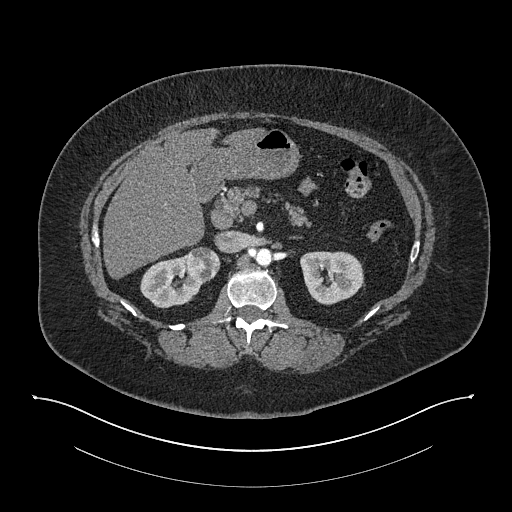
Arterial-phase contrast-enhanced abdominal CT, axial slice 515 of 673 (counted from the lowest slice); tube voltage 140 kVp, convolution kernel I30f; slices 1.00 mm thick, 0.957 mm per pixel.
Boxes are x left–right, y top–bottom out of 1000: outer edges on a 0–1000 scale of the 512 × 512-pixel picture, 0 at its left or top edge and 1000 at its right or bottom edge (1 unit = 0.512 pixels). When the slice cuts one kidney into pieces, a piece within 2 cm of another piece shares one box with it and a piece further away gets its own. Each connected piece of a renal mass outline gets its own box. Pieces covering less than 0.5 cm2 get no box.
Three boxes on this slice (two kidney boxes and one renal mass box), listed by box centre from the image's left to its right. (1) Right kidney at x 273–396, y 496–604 out of 1000 (outlined area 2,233 px, about 20.5 cm2). (2) Right renal mass at x 365–432, y 482–555 out of 1000 (outlined area 956 px, about 8.8 cm2). (3) Left kidney at x 586–713, y 490–598 out of 1000 (outlined area 2,736 px, about 25.1 cm2).